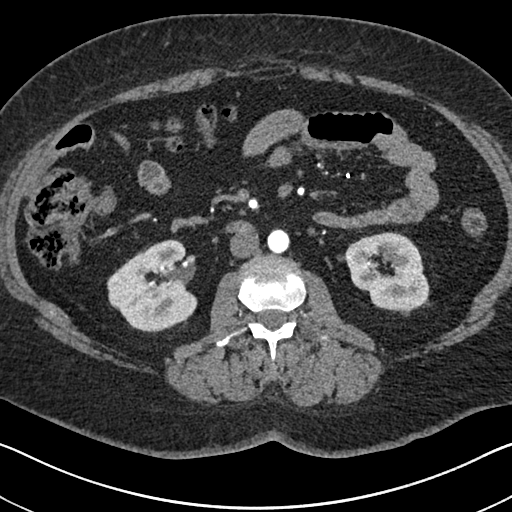
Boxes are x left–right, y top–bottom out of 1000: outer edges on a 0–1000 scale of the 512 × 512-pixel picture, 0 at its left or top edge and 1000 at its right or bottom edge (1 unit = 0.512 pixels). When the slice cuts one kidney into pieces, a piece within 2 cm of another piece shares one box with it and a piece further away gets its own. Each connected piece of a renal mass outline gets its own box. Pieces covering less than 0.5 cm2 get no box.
Arterial-phase contrast-enhanced abdominal CT, axial slice 358 of 591 (counted from the lowest slice); 1.00 mm thick, 0.703 mm per pixel. Two boxes on this slice (two kidney boxes), listed by box centre from the image's left to its right. (1) Box x 213–387, y 471–650 out of 1000: right kidney (outlined area 5,872 px, about 29.0 cm2). (2) Left kidney, box x 674–840, y 453–609 out of 1000 (outlined area 4,866 px, about 24.1 cm2). No renal mass is outlined on this slice.
Acquired at 140 kVp and reconstructed with the I30f kernel.